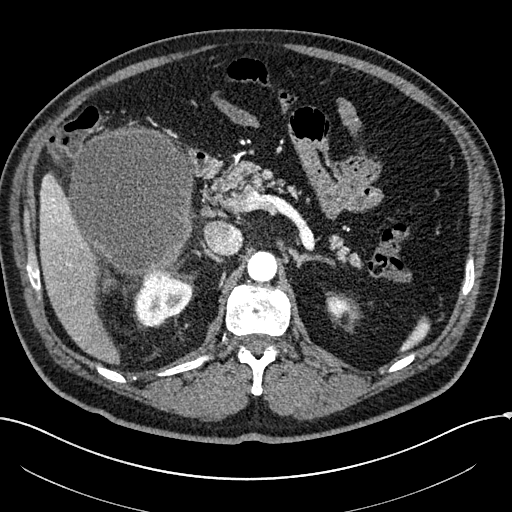
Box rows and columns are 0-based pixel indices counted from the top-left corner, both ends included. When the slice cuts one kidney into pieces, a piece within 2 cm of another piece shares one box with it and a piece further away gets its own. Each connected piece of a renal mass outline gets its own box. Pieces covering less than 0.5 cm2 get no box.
This is axial slice 158 of 304 (slice 1 is the lowest) of an arterial-phase abdominal CT with contrast; each pixel is 0.809 mm and the slice is 2.00 mm thick. Three boxes on this slice (two kidney boxes and one renal mass box), listed by box centre from the image's left to its right. (1) Right renal mass, box rows 126–277, columns 67–193 (outlined area 15,079 px, about 98.6 cm2). (2) Right kidney, box rows 269–327, columns 134–193 (outlined area 2,437 px, about 15.9 cm2). (3) Left kidney, box rows 296–318, columns 326–352 (outlined area 474 px, about 3.1 cm2).
Acquired at 100 kVp and reconstructed with the I30f kernel.